Abdominal CT with intravenous contrast, arterial phase, axial plane, 140 kVp, kernel I30f. Slice 413/591 from the bottom of the scan; thickness 1.00 mm; pixel size 0.703 mm.
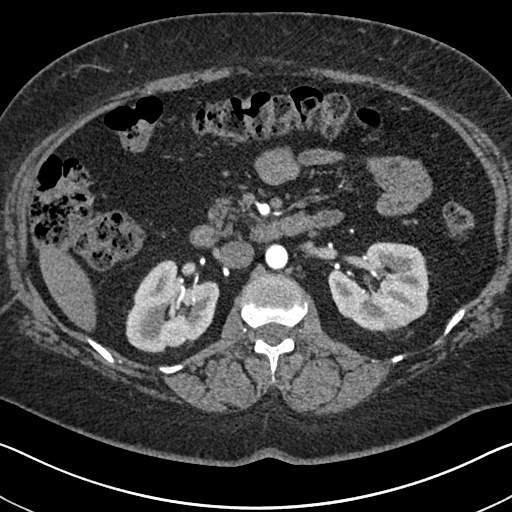
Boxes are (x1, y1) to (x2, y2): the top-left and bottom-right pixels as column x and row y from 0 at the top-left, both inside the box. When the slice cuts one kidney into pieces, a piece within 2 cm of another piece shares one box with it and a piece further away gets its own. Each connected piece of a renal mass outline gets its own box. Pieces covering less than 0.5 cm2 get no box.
Two kidney boxes on this slice; by box centre, from the image's left to its right: (1) Right kidney from (125, 260) to (219, 353) (outlined area 6,182 px, about 30.6 cm2). (2) Left kidney from (328, 242) to (429, 330) (outlined area 6,788 px, about 33.6 cm2). This slice carries no renal mass outline.